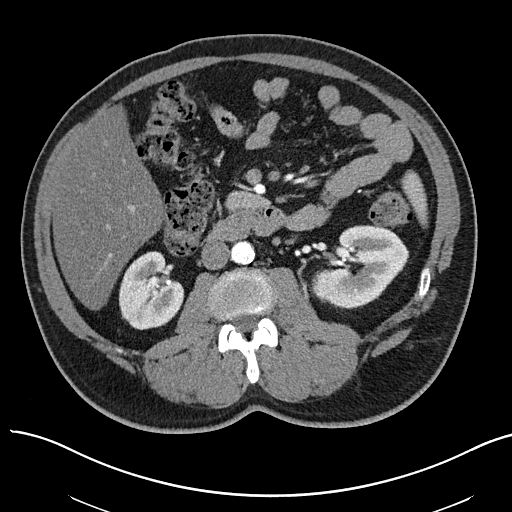
Axial slice 29 of 97 of a contrast-enhanced abdominal CT in the arterial phase (slice 1 is the lowest), 100 kVp, kernel I40f; 3.00 mm slice thickness and 0.797 mm pixels.
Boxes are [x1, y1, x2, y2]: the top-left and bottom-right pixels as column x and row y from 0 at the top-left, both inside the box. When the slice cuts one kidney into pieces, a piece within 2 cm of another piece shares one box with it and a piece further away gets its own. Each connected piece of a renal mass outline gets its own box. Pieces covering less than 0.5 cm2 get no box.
Two kidney boxes and one renal mass box on this slice; by box centre, from the image's left to its right: (1) Right kidney at [119, 251, 184, 330] (outlined area 3,809 px, about 24.2 cm2). (2) Box [311, 266, 350, 302]: left renal mass (outlined area 801 px, about 5.1 cm2). (3) Left kidney at [324, 225, 408, 308] (outlined area 4,729 px, about 30.0 cm2).